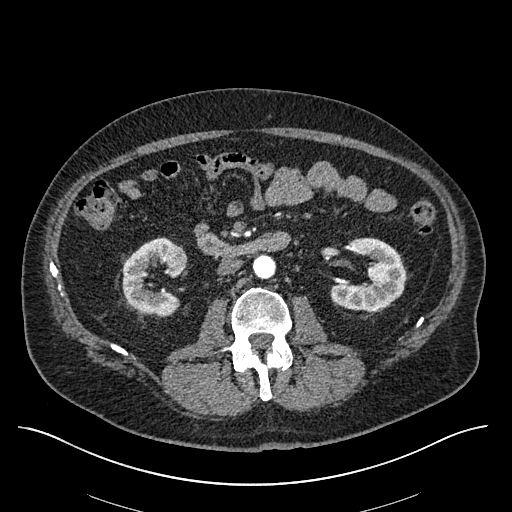
Arterial-phase contrast-enhanced abdominal CT, axial slice 302 of 670 (counted from the lowest slice); tube voltage 120 kVp, convolution kernel I30f; slices 1.00 mm thick, 0.861 mm per pixel.
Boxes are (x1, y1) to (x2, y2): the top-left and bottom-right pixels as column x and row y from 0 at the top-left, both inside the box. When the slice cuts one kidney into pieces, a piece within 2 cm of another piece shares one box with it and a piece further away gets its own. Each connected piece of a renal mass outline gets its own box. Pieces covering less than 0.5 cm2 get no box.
Boxed on this slice (two kidney boxes and one renal mass box), listed by box centre from the image's left to its right: (1) Right kidney, box (122, 237) to (187, 315) (outlined area 2,990 px, about 22.2 cm2). (2) Right renal mass, box (163, 245) to (187, 268) (outlined area 465 px, about 3.4 cm2). (3) Left kidney, box (330, 237) to (405, 310) (outlined area 3,671 px, about 27.2 cm2).